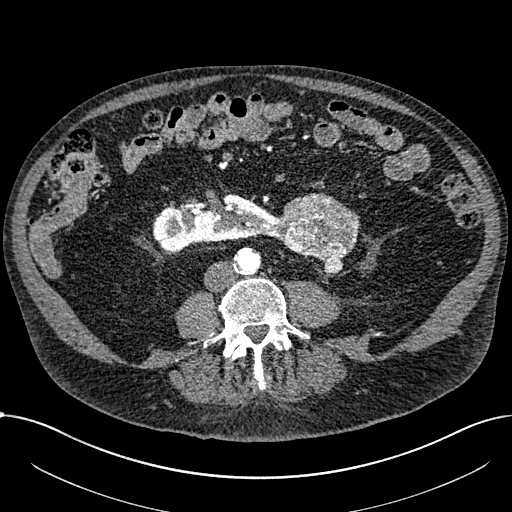
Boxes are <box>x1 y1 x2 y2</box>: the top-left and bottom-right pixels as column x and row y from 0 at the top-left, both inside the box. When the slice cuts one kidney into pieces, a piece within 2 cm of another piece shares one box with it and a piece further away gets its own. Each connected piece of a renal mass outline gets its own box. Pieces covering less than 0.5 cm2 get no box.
Slice 269/1059 of a contrast-enhanced abdominal CT in the arterial phase, counting up from the lowest; pixel size 0.811 mm, slice thickness 1.00 mm. Boxed on this slice (one kidney box and one renal mass box), listed by box centre from the image's left to its right: (1) Right part of the midline-crossing kidney: <box>153 193 280 253</box> (outlined area 4,888 px, about 32.1 cm2). (2) At <box>276 192 360 273</box>: renal mass (outlined area 4,555 px, about 29.9 cm2).
Acquired at 100 kVp and reconstructed with the I30f kernel.